One axial slice (128 of 178, counting up from the lowest) of a contrast-enhanced abdominal CT acquired with 120 kVp, kernel B; each pixel is 0.818 mm and the slice is 3.00 mm thick.
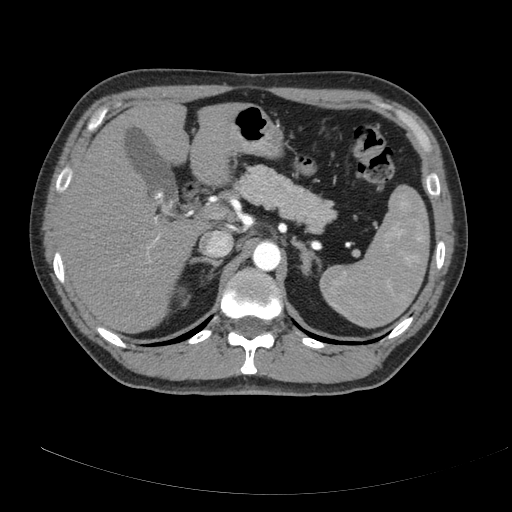
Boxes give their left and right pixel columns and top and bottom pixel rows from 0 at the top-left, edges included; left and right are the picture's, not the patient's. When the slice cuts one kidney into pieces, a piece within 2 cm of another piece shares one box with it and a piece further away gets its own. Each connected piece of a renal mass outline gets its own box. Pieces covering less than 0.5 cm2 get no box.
Right kidney in the box with left 172, top 286, right 190, bottom 306 (outlined area 200 px, about 1.3 cm2). This slice carries no renal mass outline.